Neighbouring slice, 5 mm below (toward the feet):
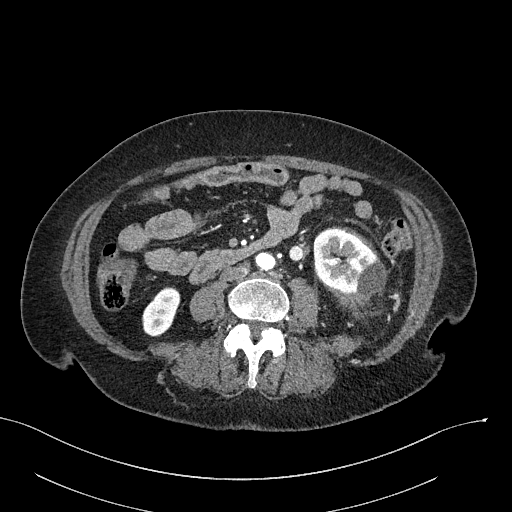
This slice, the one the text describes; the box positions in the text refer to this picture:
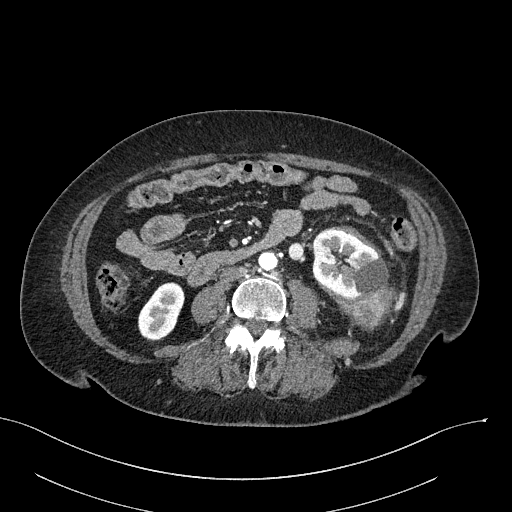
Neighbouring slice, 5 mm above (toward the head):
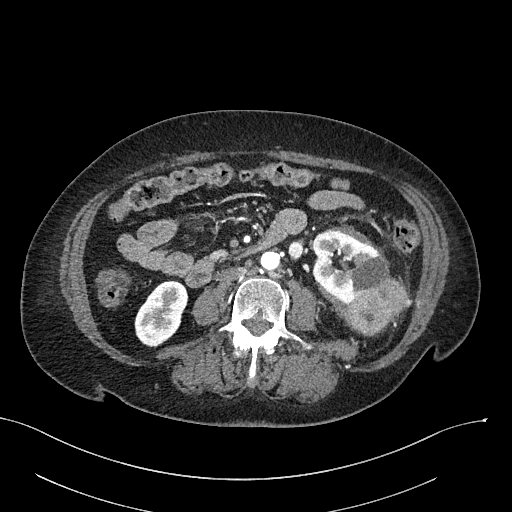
Abdominal CT with intravenous contrast, arterial phase, axial plane, 100 kVp, kernel I40f. Slice 95/316 from the bottom of the scan; thickness 2.00 mm; pixel size 0.840 mm.
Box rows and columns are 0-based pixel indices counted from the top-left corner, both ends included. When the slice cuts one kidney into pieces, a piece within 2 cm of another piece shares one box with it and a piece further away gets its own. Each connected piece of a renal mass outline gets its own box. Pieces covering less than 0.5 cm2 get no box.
Boxed on this slice (two kidney boxes and one renal mass box), listed by box centre from the image's left to its right: (1) Right kidney at rows 282–340, columns 138–184 (outlined area 1,931 px, about 13.6 cm2). (2) Left kidney, box rows 229–301, columns 312–394 (outlined area 3,893 px, about 27.5 cm2). (3) Left renal mass, box rows 288–328, columns 349–396 (outlined area 1,399 px, about 9.9 cm2). This slice lies near the end of the left renal mass toward the feet; the slices 5 mm below and 5 mm above it are shown too, and the boxes mark positions on this slice only.